Contrast-enhanced abdominal CT, axial slice 48 of 98 (counted from the lowest slice); tube voltage 130 kVp, convolution kernel B30s; slices 5.00 mm thick, 0.840 mm per pixel.
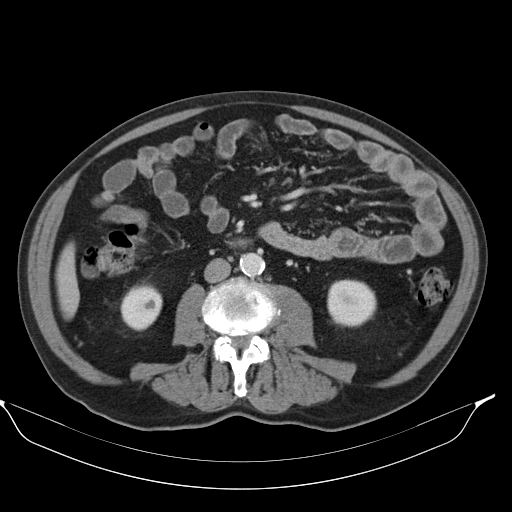
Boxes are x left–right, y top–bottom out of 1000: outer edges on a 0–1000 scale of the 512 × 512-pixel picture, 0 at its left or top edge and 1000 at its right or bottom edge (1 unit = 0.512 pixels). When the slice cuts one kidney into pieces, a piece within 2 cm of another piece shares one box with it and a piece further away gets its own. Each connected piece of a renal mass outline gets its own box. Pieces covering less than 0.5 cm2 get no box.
Boxed on this slice (two kidney boxes), listed by box centre from the image's left to its right: (1) Right kidney at x 234–318, y 555–648 out of 1000 (outlined area 1,552 px, about 10.9 cm2). (2) Left kidney at x 639–736, y 545–641 out of 1000 (outlined area 1,978 px, about 14.0 cm2). No renal mass is outlined on this slice.